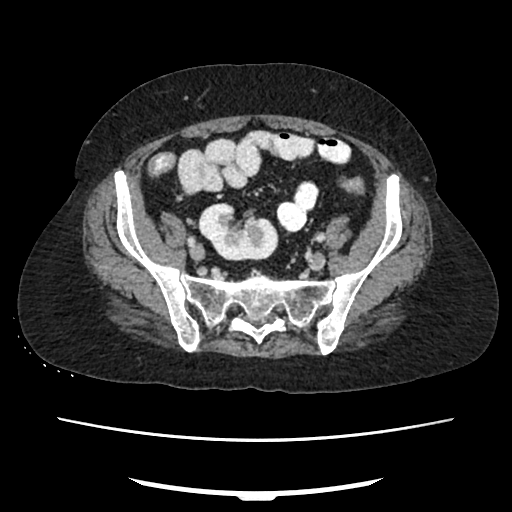
Arterial-phase contrast-enhanced abdominal CT, axial slice 70 of 207 (counted from the lowest slice); tube voltage 120 kVp, convolution kernel FC18; slices 2.00 mm thick, 0.741 mm per pixel.
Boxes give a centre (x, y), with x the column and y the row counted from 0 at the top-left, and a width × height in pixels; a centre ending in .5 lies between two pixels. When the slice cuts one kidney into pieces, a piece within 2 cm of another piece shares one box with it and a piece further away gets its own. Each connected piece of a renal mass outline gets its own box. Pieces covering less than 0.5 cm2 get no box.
Right kidney, box centre (238, 231.5), 81 × 58 pixels (outlined area 3,357 px, about 18.4 cm2). This slice carries no renal mass outline.